Arterial-phase contrast-enhanced abdominal CT, axial slice 281 of 670 (counted from the lowest slice); tube voltage 120 kVp, convolution kernel I30f; slices 1.00 mm thick, 0.861 mm per pixel.
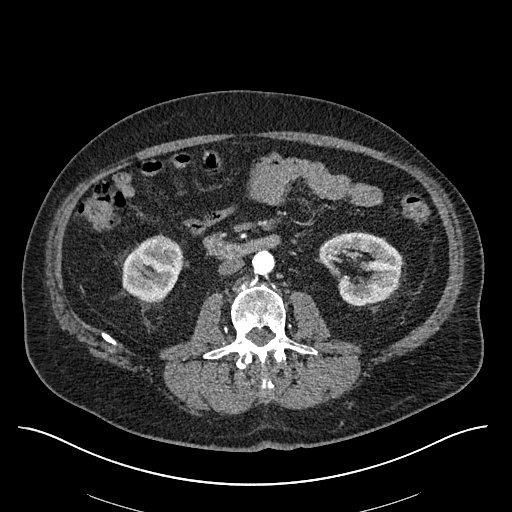
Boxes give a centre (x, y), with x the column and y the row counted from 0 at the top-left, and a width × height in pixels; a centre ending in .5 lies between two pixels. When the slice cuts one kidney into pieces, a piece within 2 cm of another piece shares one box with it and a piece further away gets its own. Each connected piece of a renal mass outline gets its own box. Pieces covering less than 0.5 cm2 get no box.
Boxed on this slice (two kidney boxes), listed by box centre from the image's left to its right: (1) Right kidney, box centre (152.5, 268), 62 × 69 pixels (outlined area 3,149 px, about 23.4 cm2). (2) Left kidney in a box with centre (360, 268.5), 83 × 74 pixels (outlined area 4,194 px, about 31.1 cm2). This slice carries no renal mass outline.